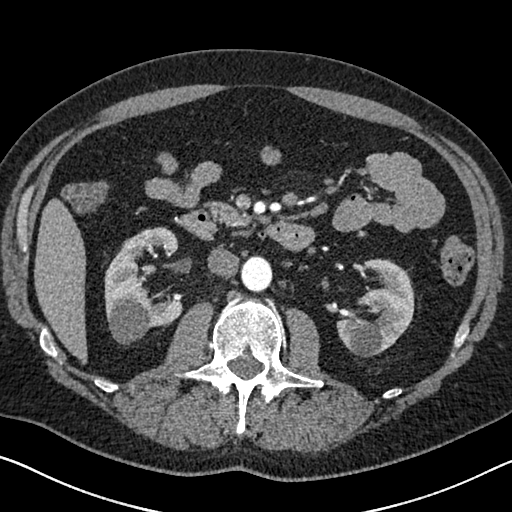
One axial slice (375 of 626, counting up from the lowest) of an arterial-phase abdominal CT acquired with 120 kVp, kernel I30f; each pixel is 0.703 mm and the slice is 1.00 mm thick.
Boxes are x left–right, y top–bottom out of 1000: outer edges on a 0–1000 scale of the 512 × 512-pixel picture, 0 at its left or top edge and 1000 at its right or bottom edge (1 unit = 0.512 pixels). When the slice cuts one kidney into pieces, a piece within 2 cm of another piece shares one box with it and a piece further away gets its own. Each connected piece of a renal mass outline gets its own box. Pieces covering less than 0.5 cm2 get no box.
Boxed on this slice (two kidney boxes), listed by box centre from the image's left to its right: (1) Right kidney at x 203–357, y 443–674 out of 1000 (outlined area 5,966 px, about 29.5 cm2). (2) Left kidney at x 656–811, y 504–697 out of 1000 (outlined area 4,857 px, about 24.0 cm2). No renal mass is outlined on this slice.